One axial slice (171 of 301, counting up from the lowest) of a contrast-enhanced abdominal CT acquired with 120 kVp, kernel I40f; each pixel is 0.859 mm and the slice is 2.00 mm thick.
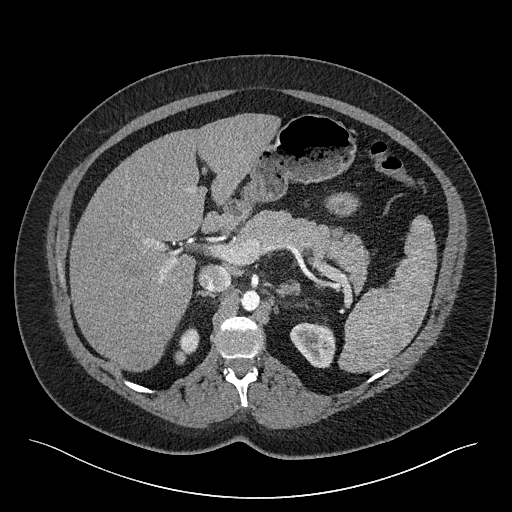
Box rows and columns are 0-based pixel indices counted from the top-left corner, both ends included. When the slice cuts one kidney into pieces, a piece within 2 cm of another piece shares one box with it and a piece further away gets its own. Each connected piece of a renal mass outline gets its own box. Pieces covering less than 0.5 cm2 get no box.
Two boxes on this slice (two kidney boxes), listed by box centre from the image's left to its right. (1) Right kidney at rows 327–362, columns 174–199 (outlined area 551 px, about 4.1 cm2). (2) Left kidney, box rows 322–368, columns 289–335 (outlined area 1,573 px, about 11.6 cm2). This slice carries no renal mass outline.